Arterial-phase contrast-enhanced abdominal CT, axial slice 172 of 199 (counted from the lowest slice); tube voltage 120 kVp, convolution kernel STANDARD; slices 2.50 mm thick, 0.789 mm per pixel.
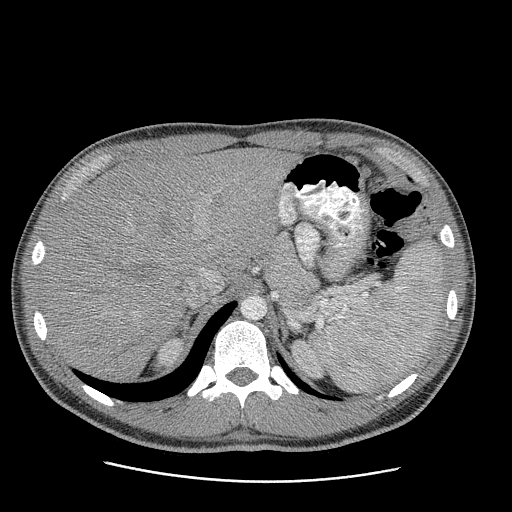
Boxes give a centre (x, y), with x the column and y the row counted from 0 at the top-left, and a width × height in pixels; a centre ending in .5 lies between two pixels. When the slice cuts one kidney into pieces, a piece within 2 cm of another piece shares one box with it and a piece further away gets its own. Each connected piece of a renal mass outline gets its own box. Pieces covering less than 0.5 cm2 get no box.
Two kidney boxes on this slice; by box centre, from the image's left to its right: (1) Box centre (168.5, 351.5), 30 × 34 pixels: right kidney (outlined area 661 px, about 4.1 cm2). (2) Left kidney, box centre (308, 359), 35 × 43 pixels (outlined area 832 px, about 5.2 cm2). No renal mass is outlined on this slice.